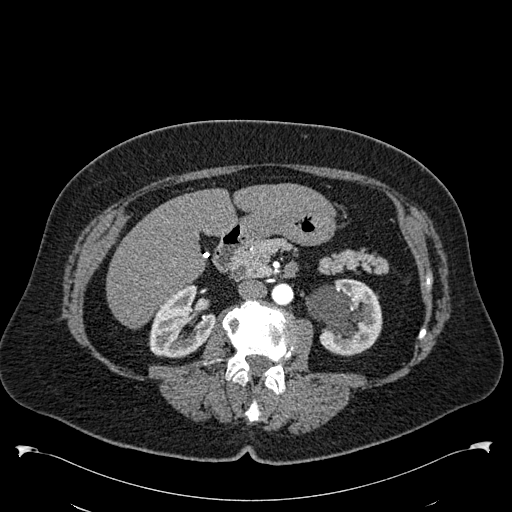
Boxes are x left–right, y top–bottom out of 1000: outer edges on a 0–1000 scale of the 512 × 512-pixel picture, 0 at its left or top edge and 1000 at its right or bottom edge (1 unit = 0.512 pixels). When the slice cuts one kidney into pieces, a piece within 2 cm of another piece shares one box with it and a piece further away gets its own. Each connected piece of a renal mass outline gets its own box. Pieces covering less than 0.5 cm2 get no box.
This is axial slice 315 of 538 (slice 1 is the lowest) of an arterial-phase abdominal CT with contrast; each pixel is 0.811 mm and the slice is 1.00 mm thick. Boxed on this slice (two kidney boxes), listed by box centre from the image's left to its right: (1) Right kidney, box x 289–422, y 557–699 out of 1000 (outlined area 3,338 px, about 21.9 cm2). (2) Box x 596–748, y 543–693 out of 1000: left kidney (outlined area 4,342 px, about 28.5 cm2). This slice carries no renal mass outline.
Acquired at 120 kVp and reconstructed with the B30f kernel.